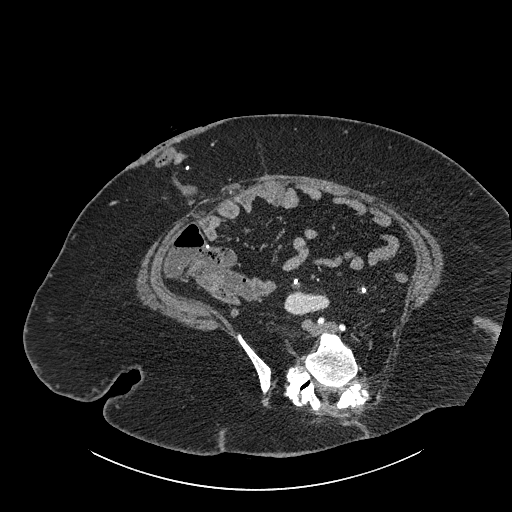
Abdominal CT with intravenous contrast, axial plane, 140 kVp, kernel I30f. Slice 387/834 from the bottom of the scan; thickness 1.00 mm; pixel size 0.977 mm.
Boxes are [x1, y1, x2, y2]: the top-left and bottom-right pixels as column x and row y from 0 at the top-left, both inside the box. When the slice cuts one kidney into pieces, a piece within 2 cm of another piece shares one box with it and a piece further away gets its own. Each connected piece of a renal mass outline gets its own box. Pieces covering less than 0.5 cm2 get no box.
Right part of the midline-crossing kidney at [284, 291, 329, 315] (outlined area 872 px, about 8.3 cm2). No renal mass is outlined on this slice.